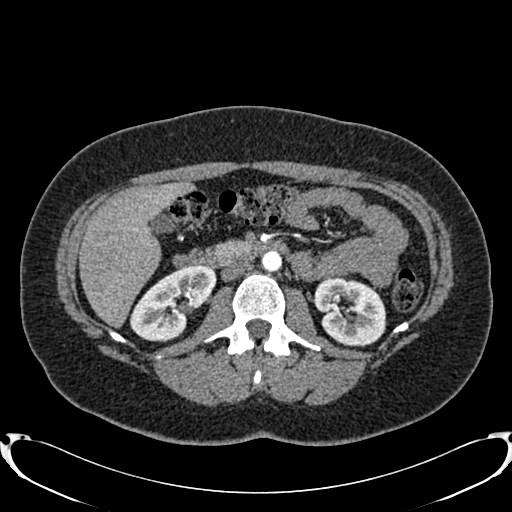
Axial slice 447 of 719 of a contrast-enhanced abdominal CT in the arterial phase (slice 1 is the lowest), 120 kVp, kernel B20f; 1.00 mm slice thickness and 0.766 mm pixels.
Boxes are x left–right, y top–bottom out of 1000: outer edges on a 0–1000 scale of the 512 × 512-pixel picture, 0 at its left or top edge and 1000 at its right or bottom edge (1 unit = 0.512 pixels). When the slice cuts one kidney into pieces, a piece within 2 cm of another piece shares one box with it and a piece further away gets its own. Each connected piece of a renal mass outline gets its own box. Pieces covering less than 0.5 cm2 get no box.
Boxed on this slice (two kidney boxes), listed by box centre from the image's left to its right: (1) Right kidney at x 254–424, y 518–670 out of 1000 (outlined area 4,136 px, about 24.2 cm2). (2) Left kidney at x 609–756, y 539–678 out of 1000 (outlined area 3,868 px, about 22.7 cm2). No renal mass is outlined on this slice.